One axial slice (316 of 787, counting up from the lowest) of a contrast-enhanced abdominal CT acquired with 140 kVp, kernel I30f; each pixel is 0.910 mm and the slice is 1.00 mm thick.
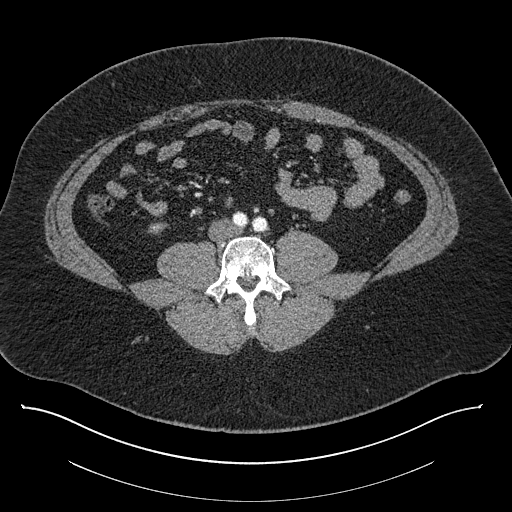
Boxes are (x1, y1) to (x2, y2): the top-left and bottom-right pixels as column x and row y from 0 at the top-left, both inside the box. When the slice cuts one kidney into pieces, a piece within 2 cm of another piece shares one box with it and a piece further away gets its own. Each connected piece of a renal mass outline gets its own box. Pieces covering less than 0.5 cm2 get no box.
Right kidney from (148, 222) to (166, 234) (outlined area 174 px, about 1.4 cm2). No renal mass is outlined on this slice.